Axial slice 182 of 285 of a contrast-enhanced abdominal CT in the arterial phase (slice 1 is the lowest), 120 kVp, kernel B31f; 2.00 mm slice thickness and 0.762 mm pixels.
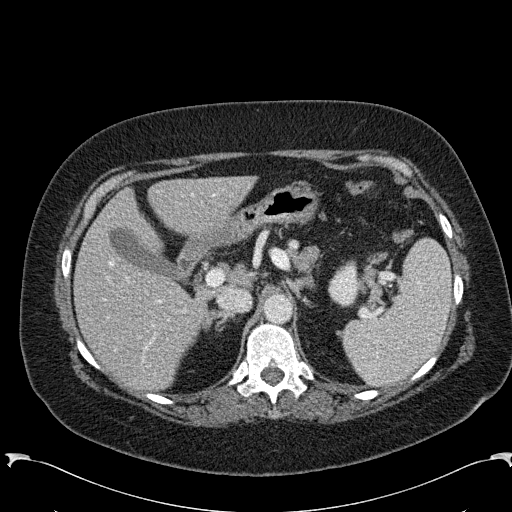
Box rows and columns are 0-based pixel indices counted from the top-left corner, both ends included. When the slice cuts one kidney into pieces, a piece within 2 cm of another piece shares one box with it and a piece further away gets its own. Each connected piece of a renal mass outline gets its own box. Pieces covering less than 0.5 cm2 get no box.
Left kidney at rows 259–307, columns 327–358 (outlined area 1,105 px, about 6.4 cm2). No renal mass is outlined on this slice.